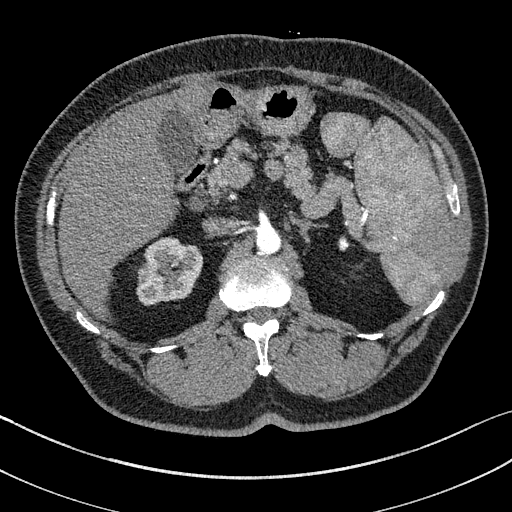
Arterial-phase contrast-enhanced abdominal CT, axial slice 104 of 195 (counted from the lowest slice); tube voltage 100 kVp, convolution kernel I31f; slices 1.50 mm thick, 0.707 mm per pixel.
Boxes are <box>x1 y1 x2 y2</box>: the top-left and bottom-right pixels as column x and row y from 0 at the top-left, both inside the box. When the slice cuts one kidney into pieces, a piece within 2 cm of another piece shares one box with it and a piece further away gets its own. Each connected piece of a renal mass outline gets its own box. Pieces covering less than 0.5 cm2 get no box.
Right kidney: <box>136 237 202 305</box> (outlined area 3,351 px, about 16.8 cm2). No renal mass outline on this slice.